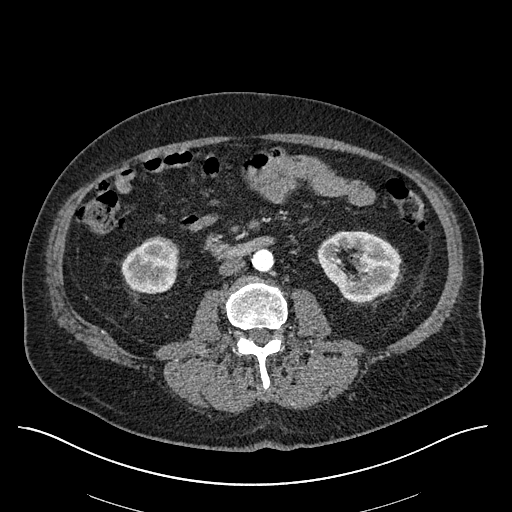
Axial slice 270 of 670 of a contrast-enhanced abdominal CT in the arterial phase (slice 1 is the lowest), 120 kVp, kernel I30f; 1.00 mm slice thickness and 0.861 mm pixels.
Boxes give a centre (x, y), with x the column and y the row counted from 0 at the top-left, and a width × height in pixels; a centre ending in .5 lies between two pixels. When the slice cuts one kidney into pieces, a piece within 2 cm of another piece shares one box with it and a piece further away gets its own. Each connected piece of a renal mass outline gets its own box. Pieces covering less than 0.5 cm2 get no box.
Boxed on this slice (two kidney boxes), listed by box centre from the image's left to its right: (1) Right kidney, box centre (149.5, 264.5), 58 × 58 pixels (outlined area 2,597 px, about 19.3 cm2). (2) Left kidney, box centre (358.5, 266.5), 84 × 72 pixels (outlined area 4,281 px, about 31.8 cm2). No renal mass outline on this slice.